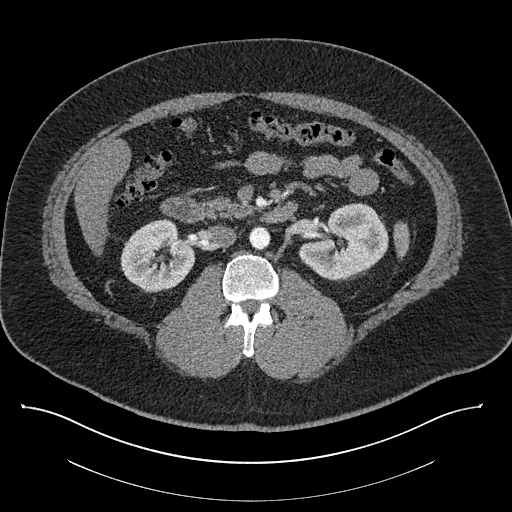
Contrast-enhanced abdominal CT, axial slice 484 of 787 (counted from the lowest slice); tube voltage 140 kVp, convolution kernel I30f; slices 1.00 mm thick, 0.910 mm per pixel.
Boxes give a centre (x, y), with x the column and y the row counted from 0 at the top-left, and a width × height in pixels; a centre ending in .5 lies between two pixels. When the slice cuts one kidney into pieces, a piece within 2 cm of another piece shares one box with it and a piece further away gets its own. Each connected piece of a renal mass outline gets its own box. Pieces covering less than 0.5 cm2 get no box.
Two kidney boxes on this slice; by box centre, from the image's left to its right: (1) Right kidney, box centre (157, 255.5), 75 × 74 pixels (outlined area 3,967 px, about 32.9 cm2). (2) Left kidney in a box with centre (343, 240.5), 91 × 78 pixels (outlined area 4,856 px, about 40.2 cm2). No renal mass outline on this slice.